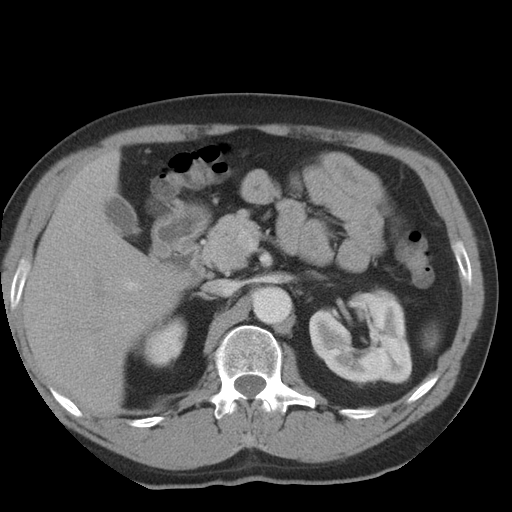
One axial slice (22 of 36, counting up from the lowest) of an arterial-phase abdominal CT acquired with 140 kVp, kernel STANDARD; each pixel is 0.703 mm and the slice is 5.00 mm thick.
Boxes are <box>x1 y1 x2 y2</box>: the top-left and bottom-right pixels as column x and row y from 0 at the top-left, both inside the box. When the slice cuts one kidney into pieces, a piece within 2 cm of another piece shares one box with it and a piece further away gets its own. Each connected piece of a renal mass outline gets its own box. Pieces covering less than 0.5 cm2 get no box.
Boxed on this slice (two kidney boxes), listed by box centre from the image's left to its right: (1) Right kidney at <box>140 316 187 367</box> (outlined area 1,632 px, about 8.1 cm2). (2) Left kidney: <box>309 287 412 387</box> (outlined area 7,424 px, about 36.7 cm2). No renal mass outline on this slice.